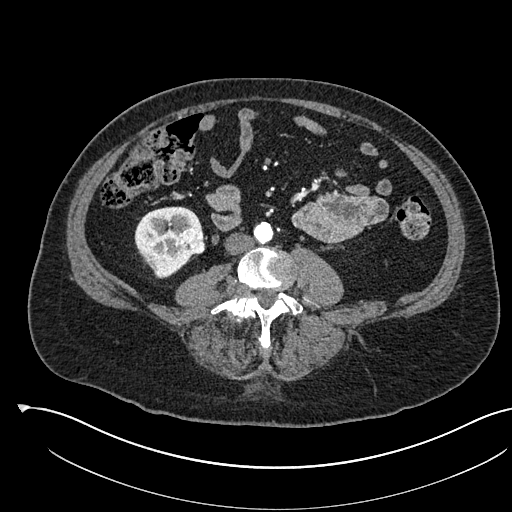
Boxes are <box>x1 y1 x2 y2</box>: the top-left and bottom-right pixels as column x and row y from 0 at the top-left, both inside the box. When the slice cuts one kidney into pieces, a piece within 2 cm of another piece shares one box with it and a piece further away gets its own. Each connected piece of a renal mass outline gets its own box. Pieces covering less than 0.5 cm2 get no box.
This is axial slice 214 of 541 (slice 1 is the lowest) of an arterial-phase abdominal CT with contrast; each pixel is 0.834 mm and the slice is 1.00 mm thick. Two boxes on this slice (one kidney box and one renal mass box), listed by box centre from the image's left to its right. (1) At <box>134 206 202 278</box>: right kidney (outlined area 3,115 px, about 21.7 cm2). (2) Right renal mass: <box>176 228 204 255</box> (outlined area 640 px, about 4.5 cm2).
Tube voltage 120 kVp; convolution kernel I30f.